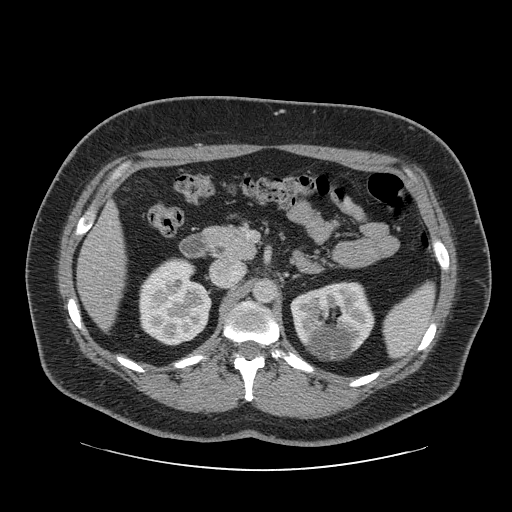
One axial slice (46 of 69, counting up from the lowest) of an arterial-phase abdominal CT acquired with 120 kVp, kernel STANDARD; each pixel is 0.846 mm and the slice is 2.50 mm thick.
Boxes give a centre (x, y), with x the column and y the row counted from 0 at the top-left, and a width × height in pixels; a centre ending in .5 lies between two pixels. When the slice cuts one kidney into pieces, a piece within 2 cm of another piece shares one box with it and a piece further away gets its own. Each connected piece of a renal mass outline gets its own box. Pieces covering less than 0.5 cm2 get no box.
Two kidney boxes on this slice; by box centre, from the image's left to its right: (1) Right kidney, box centre (174.5, 301), 74 × 89 pixels (outlined area 4,881 px, about 34.9 cm2). (2) Box centre (332, 320.5), 85 × 80 pixels: left kidney (outlined area 5,056 px, about 36.2 cm2). No renal mass outline on this slice.